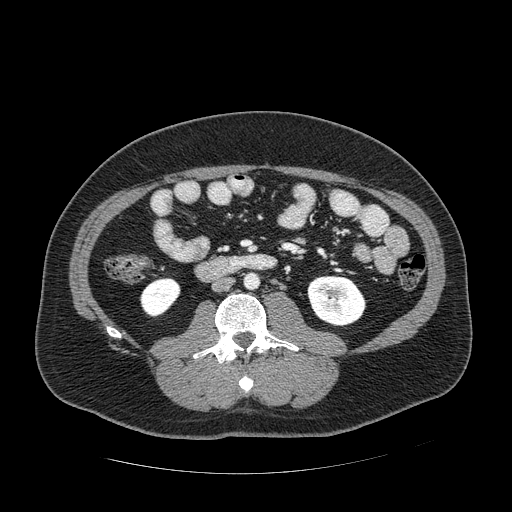
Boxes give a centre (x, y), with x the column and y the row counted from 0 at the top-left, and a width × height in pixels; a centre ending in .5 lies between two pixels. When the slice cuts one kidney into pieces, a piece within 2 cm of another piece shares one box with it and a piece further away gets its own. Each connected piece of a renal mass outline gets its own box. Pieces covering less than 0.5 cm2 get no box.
This is axial slice 227 of 389 (slice 1 is the lowest) of an arterial-phase abdominal CT with contrast; each pixel is 0.869 mm and the slice is 1.25 mm thick. Boxed on this slice (two kidney boxes), listed by box centre from the image's left to its right: (1) Right kidney, box centre (159.5, 297), 42 × 41 pixels (outlined area 1,195 px, about 9.0 cm2). (2) Left kidney, box centre (336, 300.5), 59 × 52 pixels (outlined area 2,363 px, about 17.9 cm2). This slice carries no renal mass outline.
Acquired at 120 kVp and reconstructed with the STANDARD kernel.